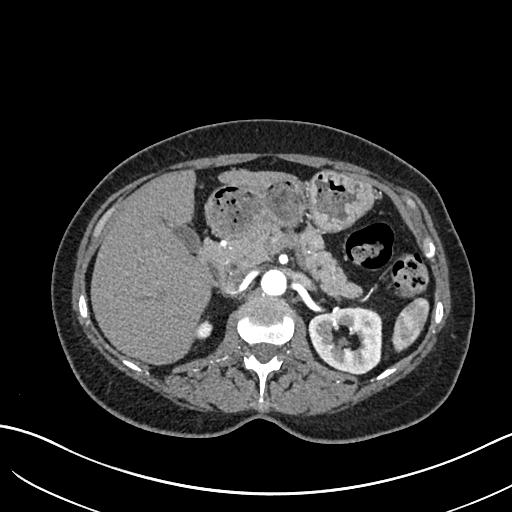
Abdominal CT with intravenous contrast, arterial phase, axial plane, 120 kVp, kernel I30f. Slice 422/683 from the bottom of the scan; thickness 1.00 mm; pixel size 0.738 mm.
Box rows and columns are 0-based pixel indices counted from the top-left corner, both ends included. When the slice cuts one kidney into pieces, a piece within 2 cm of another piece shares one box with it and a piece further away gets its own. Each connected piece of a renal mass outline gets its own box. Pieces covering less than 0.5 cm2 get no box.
Two boxes on this slice (two kidney boxes), listed by box centre from the image's left to its right. (1) Right kidney, box rows 320–339, columns 197–211 (outlined area 228 px, about 1.2 cm2). (2) Left kidney, box rows 307–374, columns 308–382 (outlined area 3,789 px, about 20.7 cm2). This slice carries no renal mass outline.